Contrast-enhanced abdominal CT, axial slice 27 of 76 (counted from the lowest slice); tube voltage 120 kVp, convolution kernel STANDARD; slices 2.50 mm thick, 0.586 mm per pixel.
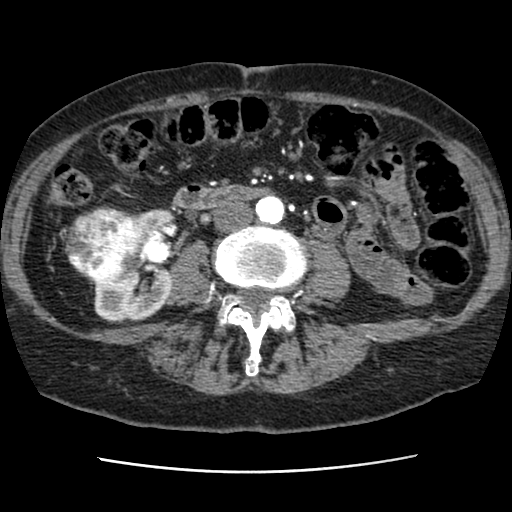
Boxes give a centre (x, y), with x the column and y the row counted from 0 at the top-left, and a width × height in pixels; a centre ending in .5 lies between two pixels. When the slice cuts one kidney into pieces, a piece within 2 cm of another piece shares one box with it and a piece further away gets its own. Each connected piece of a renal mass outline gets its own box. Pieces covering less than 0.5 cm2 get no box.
One kidney box and one renal mass box on this slice; by box centre, from the image's left to its right: (1) Right renal mass, box centre (104.5, 244.5), 80 × 80 pixels (outlined area 4,858 px, about 16.7 cm2). (2) Right kidney in a box with centre (134, 265.5), 81 × 116 pixels (outlined area 5,026 px, about 17.3 cm2).